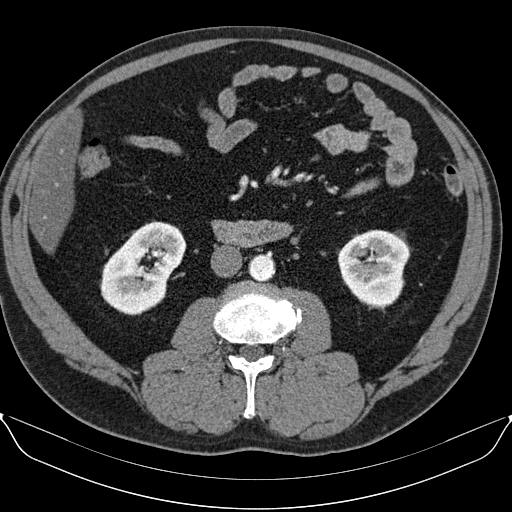
Abdominal CT with intravenous contrast, arterial phase, axial plane, 130 kVp, kernel B30s. Slice 38/96 from the bottom of the scan; thickness 3.00 mm; pixel size 0.781 mm.
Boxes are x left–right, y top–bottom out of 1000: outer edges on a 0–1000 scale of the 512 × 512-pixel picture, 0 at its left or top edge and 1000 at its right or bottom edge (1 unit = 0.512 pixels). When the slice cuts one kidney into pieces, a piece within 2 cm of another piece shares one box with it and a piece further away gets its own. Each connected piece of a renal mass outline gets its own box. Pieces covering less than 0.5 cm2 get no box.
Two kidney boxes on this slice; by box centre, from the image's left to its right: (1) Right kidney at x 195–365, y 432–617 out of 1000 (outlined area 5,386 px, about 32.9 cm2). (2) Left kidney at x 660–803, y 447–600 out of 1000 (outlined area 4,227 px, about 25.8 cm2). No renal mass outline on this slice.